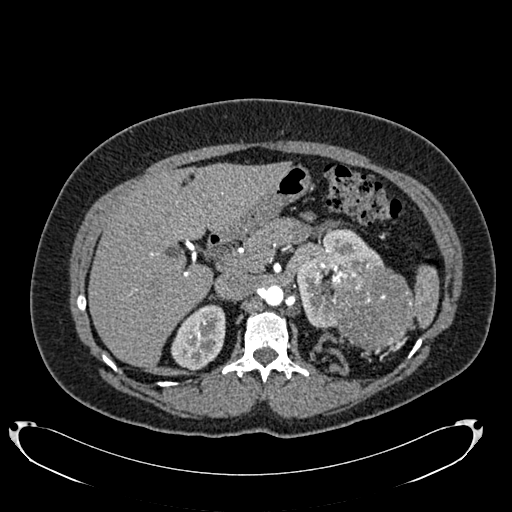
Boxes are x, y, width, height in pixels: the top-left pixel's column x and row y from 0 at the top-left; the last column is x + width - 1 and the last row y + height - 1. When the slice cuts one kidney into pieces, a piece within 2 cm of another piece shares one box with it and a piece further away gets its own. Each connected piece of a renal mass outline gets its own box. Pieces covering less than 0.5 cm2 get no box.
Arterial-phase contrast-enhanced abdominal CT, axial slice 499 of 634 (counted from the lowest slice); 1.00 mm thick, 0.838 mm per pixel. Boxed on this slice (two kidney boxes and one renal mass box), listed by box centre from the image's left to its right: (1) Box x 171, y 304, width 55, height 68: right kidney (outlined area 2,662 px, about 18.7 cm2). (2) Left kidney at x 295, y 228, width 88, height 100 (outlined area 3,617 px, about 25.4 cm2). (3) Left renal mass, box x 328, y 262, width 86, height 89 (outlined area 6,038 px, about 42.4 cm2).
Scan settings: 120 kVp, B20f reconstruction kernel.